One axial slice (167 of 314, counting up from the lowest) of a contrast-enhanced abdominal CT acquired with 130 kVp, kernel B31s; each pixel is 0.934 mm and the slice is 2.50 mm thick.
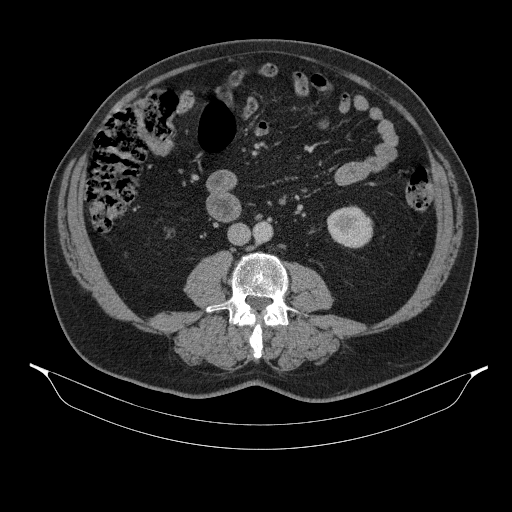
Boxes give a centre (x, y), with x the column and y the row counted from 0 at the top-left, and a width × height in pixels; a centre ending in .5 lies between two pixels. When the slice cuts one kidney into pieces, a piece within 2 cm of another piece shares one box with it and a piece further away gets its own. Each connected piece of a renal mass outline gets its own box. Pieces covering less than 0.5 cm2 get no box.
Left kidney in a box with centre (349.5, 227), 46 × 43 pixels (outlined area 1,532 px, about 13.4 cm2). No renal mass is outlined on this slice.